Contrast-enhanced abdominal CT, axial slice 182 of 301 (counted from the lowest slice); tube voltage 120 kVp, convolution kernel I40f; slices 2.00 mm thick, 0.859 mm per pixel.
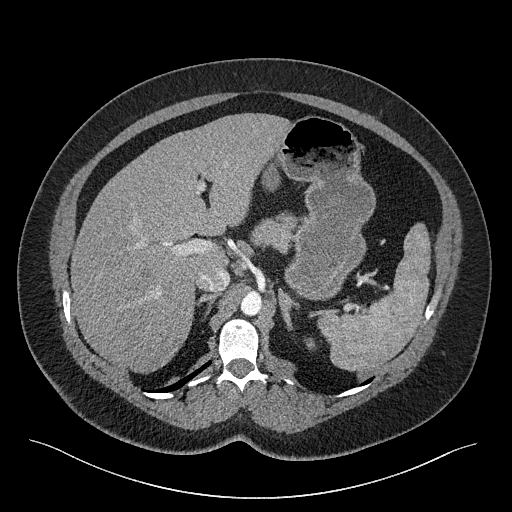
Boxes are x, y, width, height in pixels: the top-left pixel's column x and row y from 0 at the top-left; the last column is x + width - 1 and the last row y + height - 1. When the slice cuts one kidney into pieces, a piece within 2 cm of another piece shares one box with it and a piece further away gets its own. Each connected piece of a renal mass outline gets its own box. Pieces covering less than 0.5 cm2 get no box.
Box x 304, y 338, width 12, height 12: left kidney (outlined area 106 px, about 0.8 cm2). No renal mass outline on this slice.